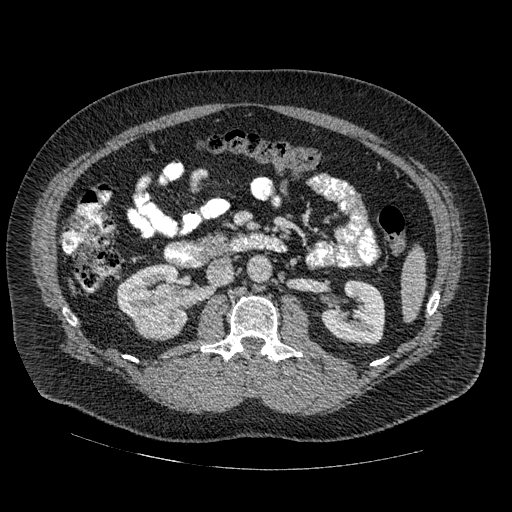
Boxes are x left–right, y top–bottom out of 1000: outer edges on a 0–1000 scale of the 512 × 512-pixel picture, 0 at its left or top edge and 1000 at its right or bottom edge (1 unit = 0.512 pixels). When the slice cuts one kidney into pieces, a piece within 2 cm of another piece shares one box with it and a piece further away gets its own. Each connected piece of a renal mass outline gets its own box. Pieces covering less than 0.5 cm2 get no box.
Slice 270/445 of a contrast-enhanced abdominal CT in the arterial phase, counting up from the lowest; pixel size 0.863 mm, slice thickness 1.25 mm. Three boxes on this slice (two kidney boxes and one renal mass box), listed by box centre from the image's left to its right. (1) Right kidney at x 229–369, y 516–654 out of 1000 (outlined area 2,994 px, about 22.3 cm2). (2) Right renal mass at x 254–350, y 605–668 out of 1000 (outlined area 1,064 px, about 7.9 cm2). (3) Left kidney, box x 627–754, y 551–674 out of 1000 (outlined area 2,943 px, about 21.9 cm2).
Scan settings: 120 kVp, STANDARD reconstruction kernel.